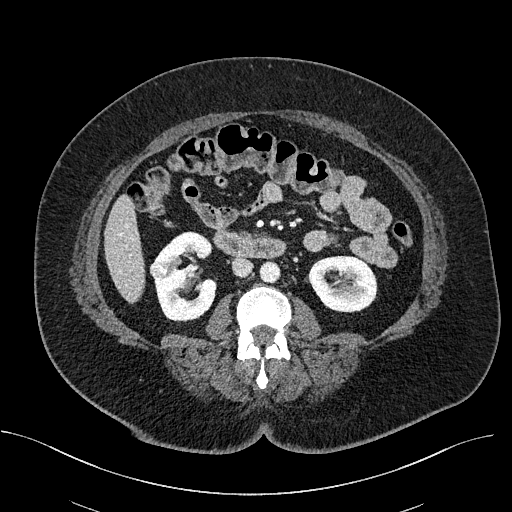
Abdominal CT with intravenous contrast, axial plane, 100 kVp, kernel I40f. Slice 278/470 from the bottom of the scan; thickness 2.00 mm; pixel size 0.824 mm.
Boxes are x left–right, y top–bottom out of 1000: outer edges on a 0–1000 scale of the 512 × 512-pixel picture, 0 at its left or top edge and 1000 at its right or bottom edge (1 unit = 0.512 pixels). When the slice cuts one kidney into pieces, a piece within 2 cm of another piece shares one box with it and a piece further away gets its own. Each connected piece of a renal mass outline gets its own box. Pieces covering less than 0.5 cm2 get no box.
Boxed on this slice (two kidney boxes and one renal mass box), listed by box centre from the image's left to its right: (1) Right renal mass, box x 291–332, y 508–547 out of 1000 (outlined area 331 px, about 2.2 cm2). (2) Right kidney, box x 301–424, y 451–629 out of 1000 (outlined area 3,920 px, about 26.6 cm2). (3) Left kidney at x 602–738, y 498–611 out of 1000 (outlined area 3,124 px, about 21.2 cm2).